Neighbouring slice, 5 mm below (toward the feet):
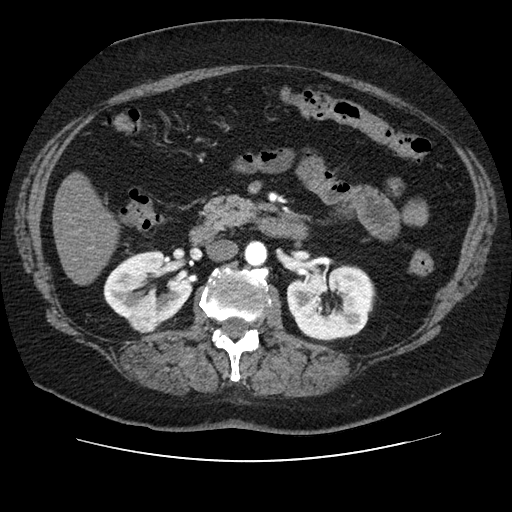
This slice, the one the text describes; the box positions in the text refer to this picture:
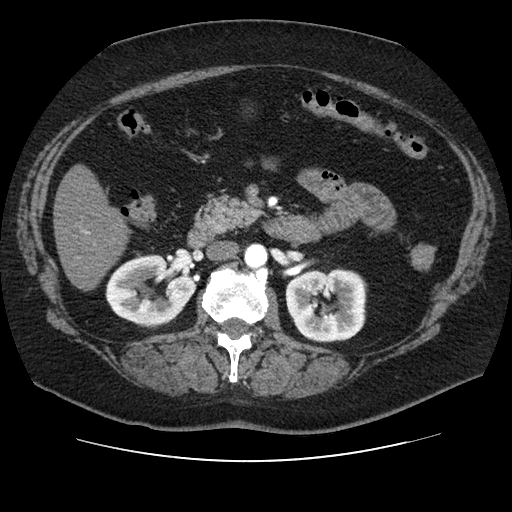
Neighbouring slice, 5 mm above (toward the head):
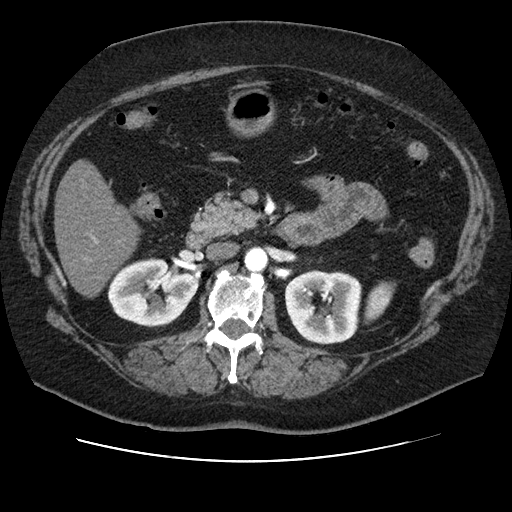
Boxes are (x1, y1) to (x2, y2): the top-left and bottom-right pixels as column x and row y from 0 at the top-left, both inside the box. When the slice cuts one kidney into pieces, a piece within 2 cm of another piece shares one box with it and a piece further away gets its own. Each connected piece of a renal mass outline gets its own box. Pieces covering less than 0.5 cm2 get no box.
Slice 57/106 of a contrast-enhanced abdominal CT in the arterial phase, counting up from the lowest; pixel size 0.742 mm, slice thickness 2.50 mm. Boxed on this slice (two kidney boxes and one renal mass box), listed by box centre from the image's left to its right: (1) Box (137, 318) to (152, 328): right renal mass (outlined area 119 px, about 0.7 cm2). (2) Box (105, 254) to (196, 328): right kidney (outlined area 4,625 px, about 25.5 cm2). (3) Left kidney from (285, 268) to (367, 342) (outlined area 4,954 px, about 27.3 cm2). This slice is near the end of the right renal mass toward the head, so the slices 5 mm below and 5 mm above it are shown as well; the boxes refer to this slice only.
Scan settings: 120 kVp, STANDARD reconstruction kernel.